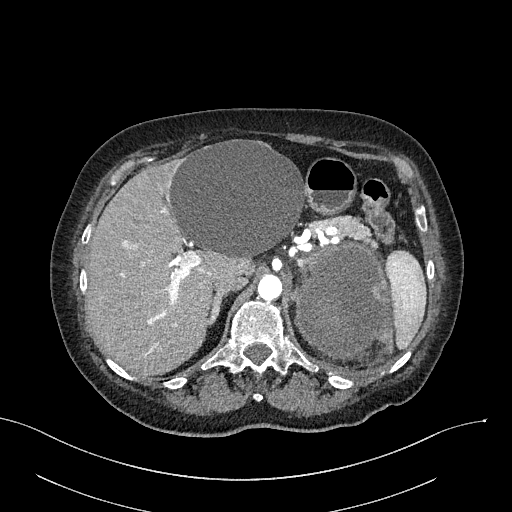
Arterial-phase contrast-enhanced abdominal CT, axial slice 197 of 316 (counted from the lowest slice); tube voltage 100 kVp, convolution kernel I40f; slices 2.00 mm thick, 0.840 mm per pixel.
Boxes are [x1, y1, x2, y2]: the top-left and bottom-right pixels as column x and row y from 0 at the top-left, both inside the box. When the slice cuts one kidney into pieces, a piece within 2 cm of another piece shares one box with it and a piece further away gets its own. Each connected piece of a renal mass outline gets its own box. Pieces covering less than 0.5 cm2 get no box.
Left renal mass at [296, 240, 392, 359] (outlined area 8,949 px, about 63.1 cm2); this slice has no kidney outline, though on another slice the same outlined renal mass lies within 1 cm of the kidney.